Abdominal CT with intravenous contrast, arterial phase, axial plane, 120 kVp, kernel B31f. Slice 28/49 from the bottom of the scan; thickness 5.00 mm; pixel size 0.691 mm.
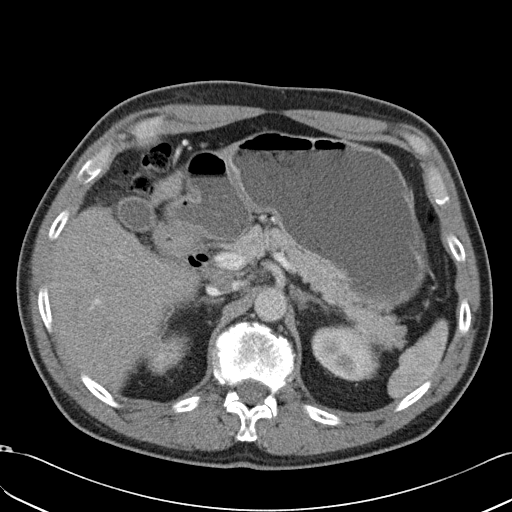
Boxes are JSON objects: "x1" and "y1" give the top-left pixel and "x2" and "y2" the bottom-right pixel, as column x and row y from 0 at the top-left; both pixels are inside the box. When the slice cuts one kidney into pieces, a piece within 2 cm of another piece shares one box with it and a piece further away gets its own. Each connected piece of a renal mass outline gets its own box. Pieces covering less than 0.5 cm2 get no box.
Boxed on this slice (two kidney boxes), listed by box centre from the image's left to its right: (1) Right kidney at {"x1": 148, "y1": 339, "x2": 188, "y2": 374} (outlined area 962 px, about 4.6 cm2). (2) Box {"x1": 311, "y1": 326, "x2": 379, "y2": 381}: left kidney (outlined area 2,909 px, about 13.9 cm2). This slice carries no renal mass outline.